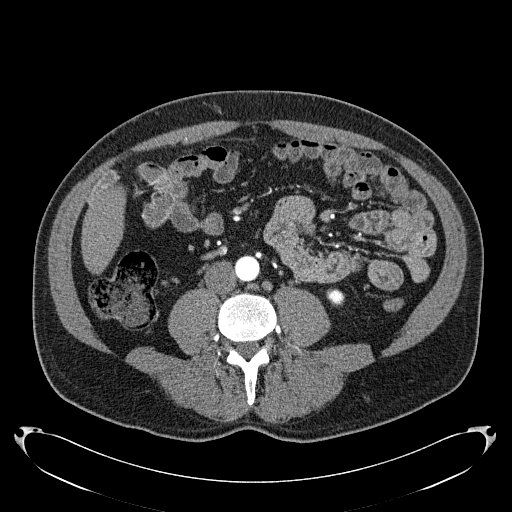
One axial slice (61 of 279, counting up from the lowest) of an arterial-phase abdominal CT acquired with 120 kVp, kernel B31f; each pixel is 0.824 mm and the slice is 2.00 mm thick.
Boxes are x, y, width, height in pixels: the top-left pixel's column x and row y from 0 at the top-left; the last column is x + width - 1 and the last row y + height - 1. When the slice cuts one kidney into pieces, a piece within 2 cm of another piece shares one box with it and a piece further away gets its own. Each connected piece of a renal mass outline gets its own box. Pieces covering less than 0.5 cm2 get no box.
Left kidney, box x 326, y 288, width 19, height 19 (outlined area 270 px, about 1.8 cm2). No renal mass is outlined on this slice.